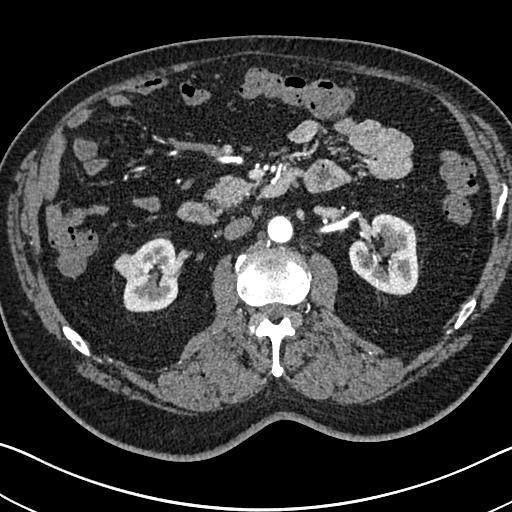
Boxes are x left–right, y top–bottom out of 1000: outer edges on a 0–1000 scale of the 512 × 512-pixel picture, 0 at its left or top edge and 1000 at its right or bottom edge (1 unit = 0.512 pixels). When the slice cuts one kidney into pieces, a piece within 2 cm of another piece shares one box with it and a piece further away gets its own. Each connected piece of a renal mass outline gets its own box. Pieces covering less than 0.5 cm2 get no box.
This is axial slice 407 of 705 (slice 1 is the lowest) of an arterial-phase abdominal CT with contrast; each pixel is 0.703 mm and the slice is 1.00 mm thick. Boxed on this slice (two kidney boxes and one renal mass box), listed by box centre from the image's left to its right: (1) Right renal mass at x 221–285, y 494–547 out of 1000 (outlined area 627 px, about 3.1 cm2). (2) Box x 240–350, y 461–611 out of 1000: right kidney (outlined area 2,987 px, about 14.8 cm2). (3) Left kidney at x 680–822, y 416–580 out of 1000 (outlined area 4,283 px, about 21.2 cm2).
Tube voltage 120 kVp; convolution kernel I30f.